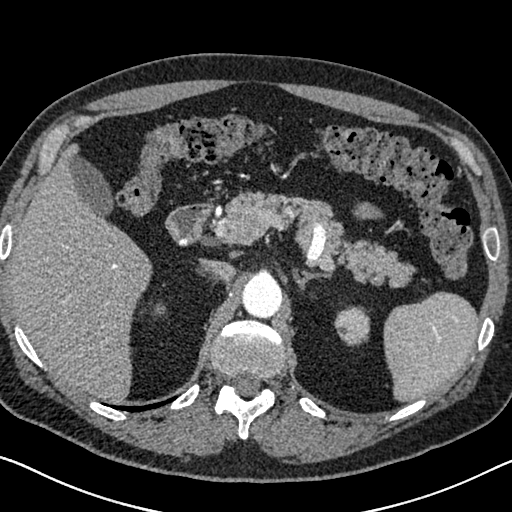
Axial slice 486 of 626 of a contrast-enhanced abdominal CT in the arterial phase (slice 1 is the lowest), 120 kVp, kernel I30f; 1.00 mm slice thickness and 0.703 mm pixels.
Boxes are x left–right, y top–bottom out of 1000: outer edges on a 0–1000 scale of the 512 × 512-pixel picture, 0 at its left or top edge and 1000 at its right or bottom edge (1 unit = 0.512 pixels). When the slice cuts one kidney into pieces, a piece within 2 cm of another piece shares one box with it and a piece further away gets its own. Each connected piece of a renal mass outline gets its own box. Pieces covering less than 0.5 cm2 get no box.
Two boxes on this slice (two kidney boxes), listed by box centre from the image's left to its right. (1) Right kidney, box x 297–324, y 590–617 out of 1000 (outlined area 127 px, about 0.6 cm2). (2) Left kidney, box x 652–723, y 598–678 out of 1000 (outlined area 1,137 px, about 5.6 cm2). No renal mass outline on this slice.